Arterial-phase contrast-enhanced abdominal CT, axial slice 412 of 1059 (counted from the lowest slice); tube voltage 100 kVp, convolution kernel I30f; slices 1.00 mm thick, 0.811 mm per pixel.
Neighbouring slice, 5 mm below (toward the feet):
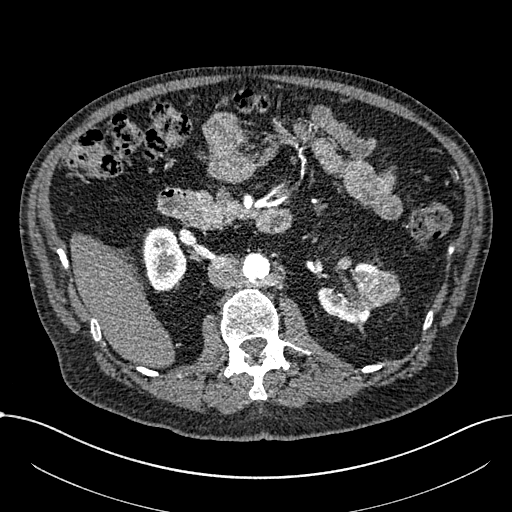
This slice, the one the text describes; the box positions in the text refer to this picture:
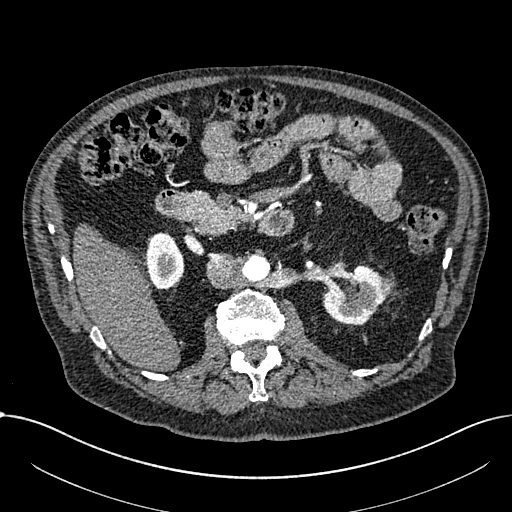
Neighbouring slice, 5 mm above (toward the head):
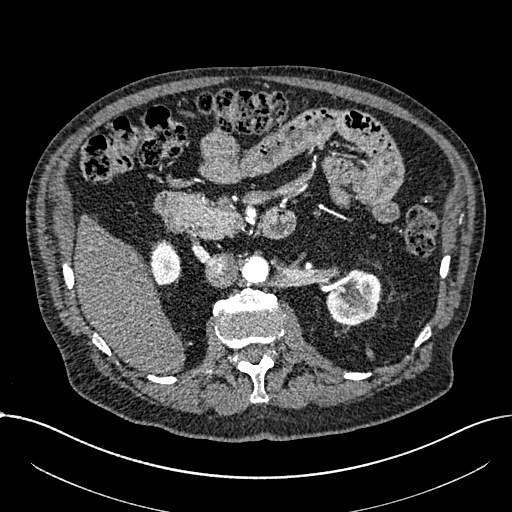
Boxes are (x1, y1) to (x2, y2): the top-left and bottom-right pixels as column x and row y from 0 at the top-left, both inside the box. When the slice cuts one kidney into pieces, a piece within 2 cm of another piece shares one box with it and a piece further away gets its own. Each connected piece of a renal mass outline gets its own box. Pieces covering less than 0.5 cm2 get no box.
Three boxes on this slice (two kidney boxes and one renal mass box), listed by box centre from the image's left to its right. (1) Right part of the midline-crossing kidney from (146, 232) to (184, 289) (outlined area 1,728 px, about 11.4 cm2). (2) Box (322, 265) to (390, 326): left part of the midline-crossing kidney (outlined area 2,662 px, about 17.5 cm2). (3) Renal mass, box (379, 281) to (392, 298) (outlined area 168 px, about 1.1 cm2). This slice lies near the end of a renal mass toward the head; the slices 5 mm below and 5 mm above it are shown too, and the boxes mark positions on this slice only.